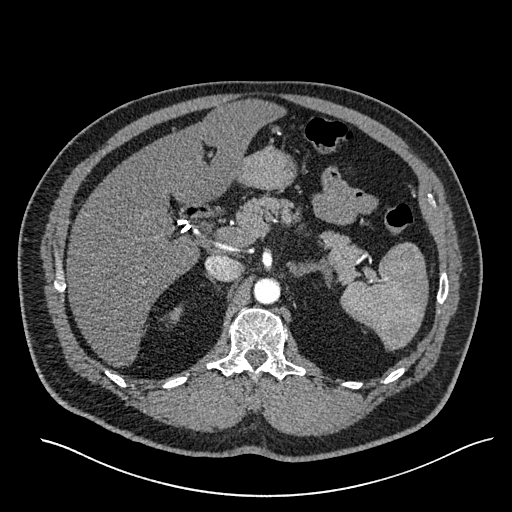
One axial slice (411 of 527, counting up from the lowest) of an arterial-phase abdominal CT acquired with 120 kVp, kernel I30f; each pixel is 0.859 mm and the slice is 1.00 mm thick.
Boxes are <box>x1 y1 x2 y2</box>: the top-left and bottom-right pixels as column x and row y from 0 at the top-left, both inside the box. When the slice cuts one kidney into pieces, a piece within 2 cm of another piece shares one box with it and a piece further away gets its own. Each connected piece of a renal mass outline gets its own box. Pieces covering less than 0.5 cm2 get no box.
Right kidney: <box>170 305 182 321</box> (outlined area 136 px, about 1.0 cm2). No renal mass is outlined on this slice.